Arterial-phase contrast-enhanced abdominal CT, axial slice 566 of 719 (counted from the lowest slice); tube voltage 120 kVp, convolution kernel B20f; slices 1.00 mm thick, 0.766 mm per pixel.
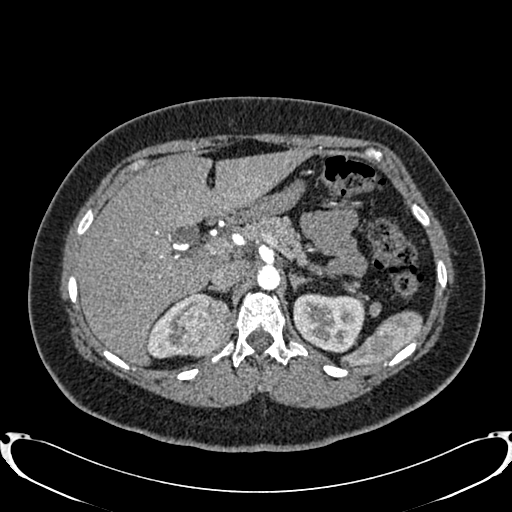
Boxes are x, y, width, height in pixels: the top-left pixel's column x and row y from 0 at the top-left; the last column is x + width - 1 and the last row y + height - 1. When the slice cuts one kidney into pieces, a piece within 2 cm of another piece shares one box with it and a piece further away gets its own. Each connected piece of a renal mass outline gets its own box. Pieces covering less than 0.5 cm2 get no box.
Boxed on this slice (two kidney boxes and one renal mass box), listed by box centre from the image's left to its right: (1) Right kidney, box x 146, y 292, width 56, height 67 (outlined area 962 px, about 5.6 cm2). (2) Right renal mass, box x 166, y 293, width 65, height 65 (outlined area 3,163 px, about 18.5 cm2). (3) Box x 293, y 293, width 73, height 60: left kidney (outlined area 3,449 px, about 20.2 cm2).